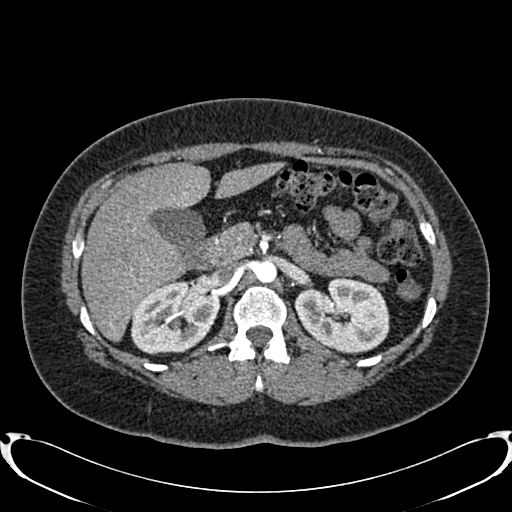
Arterial-phase contrast-enhanced abdominal CT, axial slice 516 of 719 (counted from the lowest slice); tube voltage 120 kVp, convolution kernel B20f; slices 1.00 mm thick, 0.766 mm per pixel.
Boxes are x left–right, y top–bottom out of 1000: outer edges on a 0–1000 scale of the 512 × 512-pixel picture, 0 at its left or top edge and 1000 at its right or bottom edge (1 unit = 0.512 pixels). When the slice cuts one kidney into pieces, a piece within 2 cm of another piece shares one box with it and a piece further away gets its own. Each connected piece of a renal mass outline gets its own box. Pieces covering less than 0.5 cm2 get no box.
Boxed on this slice (two kidney boxes), listed by box centre from the image's left to its right: (1) Right kidney, box x 254–430, y 549–693 out of 1000 (outlined area 4,962 px, about 29.1 cm2). (2) Box x 574–762, y 539–693 out of 1000: left kidney (outlined area 5,474 px, about 32.1 cm2). No renal mass outline on this slice.